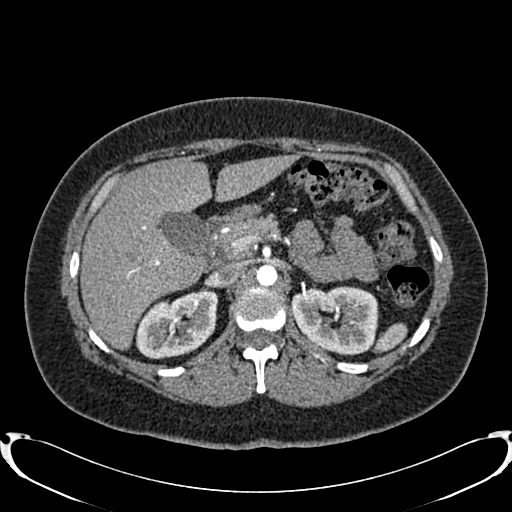
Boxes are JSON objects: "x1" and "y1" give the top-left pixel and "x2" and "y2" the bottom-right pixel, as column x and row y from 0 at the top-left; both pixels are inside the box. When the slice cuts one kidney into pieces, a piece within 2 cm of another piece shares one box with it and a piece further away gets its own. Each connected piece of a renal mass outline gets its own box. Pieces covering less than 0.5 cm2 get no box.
Arterial-phase contrast-enhanced abdominal CT, axial slice 538 of 719 (counted from the lowest slice); 1.00 mm thick, 0.766 mm per pixel. Boxed on this slice (two kidney boxes), listed by box centre from the image's left to its right: (1) Box {"x1": 136, "y1": 288, "x2": 218, "y2": 359}: right kidney (outlined area 4,189 px, about 24.6 cm2). (2) Left kidney, box {"x1": 290, "y1": 286, "x2": 378, "y2": 355} (outlined area 4,727 px, about 27.7 cm2). No renal mass outline on this slice.
Scan settings: 120 kVp, B20f reconstruction kernel.